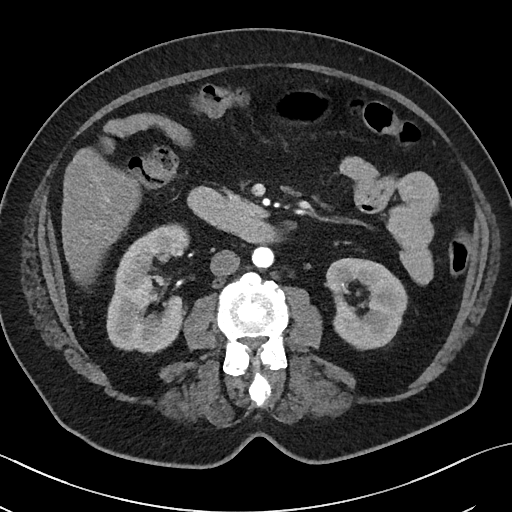
Axial slice 17 of 50 of a contrast-enhanced abdominal CT (slice 1 is the lowest), 100 kVp, kernel I40f; 5.00 mm slice thickness and 0.723 mm pixels.
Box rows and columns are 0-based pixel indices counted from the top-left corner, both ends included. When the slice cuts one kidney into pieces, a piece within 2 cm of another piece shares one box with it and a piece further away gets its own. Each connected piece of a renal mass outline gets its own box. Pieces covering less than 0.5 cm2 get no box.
Two kidney boxes on this slice; by box centre, from the image's left to its right: (1) Right kidney, box rows 223–353, columns 106–189 (outlined area 7,094 px, about 37.0 cm2). (2) Left kidney, box rows 257–350, columns 326–407 (outlined area 5,234 px, about 27.3 cm2). No renal mass is outlined on this slice.